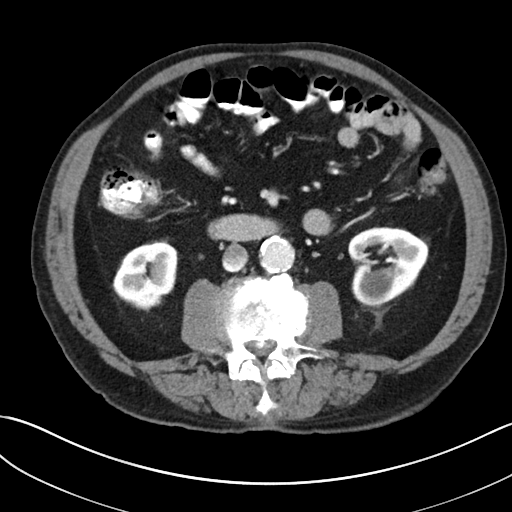
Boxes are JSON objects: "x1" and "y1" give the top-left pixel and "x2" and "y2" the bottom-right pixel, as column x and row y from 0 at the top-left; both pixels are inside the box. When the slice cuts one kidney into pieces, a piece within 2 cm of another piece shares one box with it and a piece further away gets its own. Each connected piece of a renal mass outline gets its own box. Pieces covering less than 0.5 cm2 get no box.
This is axial slice 114 of 269 (slice 1 is the lowest) of an abdominal CT with contrast; each pixel is 0.732 mm and the slice is 5.00 mm thick. Two kidney boxes on this slice; by box centre, from the image's left to its right: (1) Right kidney, box {"x1": 112, "y1": 239, "x2": 178, "y2": 311} (outlined area 3,425 px, about 18.4 cm2). (2) Left kidney at {"x1": 348, "y1": 227, "x2": 428, "y2": 308} (outlined area 4,774 px, about 25.6 cm2). This slice carries no renal mass outline.
Acquired at 100 kVp and reconstructed with the I30f kernel.